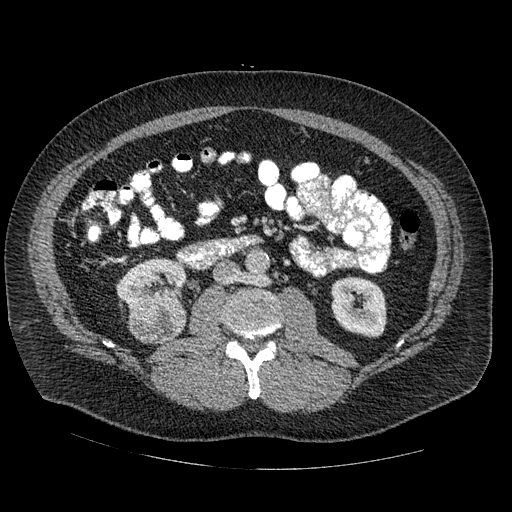
Arterial-phase contrast-enhanced abdominal CT, axial slice 255 of 445 (counted from the lowest slice); tube voltage 120 kVp, convolution kernel STANDARD; slices 1.25 mm thick, 0.863 mm per pixel.
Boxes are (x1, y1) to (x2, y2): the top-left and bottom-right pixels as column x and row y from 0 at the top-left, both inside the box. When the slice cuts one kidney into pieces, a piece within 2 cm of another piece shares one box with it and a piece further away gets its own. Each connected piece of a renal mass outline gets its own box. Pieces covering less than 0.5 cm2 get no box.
Two kidney boxes and one renal mass box on this slice; by box centre, from the image's left to its right: (1) Box (116, 258) to (186, 313): right kidney (outlined area 2,667 px, about 19.9 cm2). (2) Right renal mass from (128, 300) to (186, 344) (outlined area 2,053 px, about 15.3 cm2). (3) Left kidney from (331, 276) to (386, 337) (outlined area 2,785 px, about 20.8 cm2).